Abdominal CT with intravenous contrast, arterial phase, axial plane, 120 kVp, kernel B20f. Slice 446/634 from the bottom of the scan; thickness 1.00 mm; pixel size 0.838 mm.
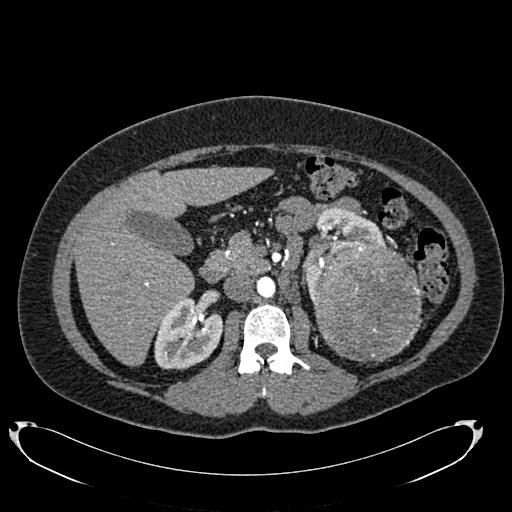
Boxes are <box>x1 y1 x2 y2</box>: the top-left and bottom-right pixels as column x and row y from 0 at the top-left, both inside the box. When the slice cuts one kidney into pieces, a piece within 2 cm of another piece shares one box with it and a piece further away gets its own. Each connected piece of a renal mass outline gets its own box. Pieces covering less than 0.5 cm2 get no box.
Two kidney boxes and one renal mass box on this slice; by box centre, from the image's left to its right: (1) Right kidney at <box>154 295 223 370</box> (outlined area 3,718 px, about 26.1 cm2). (2) Left kidney: <box>303 207 387 300</box> (outlined area 2,680 px, about 18.8 cm2). (3) Left renal mass at <box>312 241 422 362</box> (outlined area 10,767 px, about 75.6 cm2).